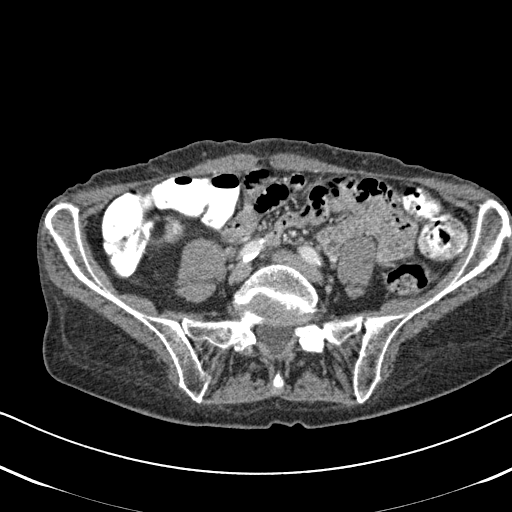
One axial slice (212 of 620, counting up from the lowest) of an arterial-phase abdominal CT acquired with 120 kVp, kernel B31f; each pixel is 0.637 mm and the slice is 2.00 mm thick.
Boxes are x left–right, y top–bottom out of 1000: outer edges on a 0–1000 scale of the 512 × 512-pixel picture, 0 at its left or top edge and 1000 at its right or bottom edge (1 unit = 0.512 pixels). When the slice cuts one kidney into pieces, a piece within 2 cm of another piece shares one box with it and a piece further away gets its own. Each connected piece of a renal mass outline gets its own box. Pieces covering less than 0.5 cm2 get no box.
Right kidney at x 311–363, y 418–482 out of 1000 (outlined area 568 px, about 2.3 cm2). No renal mass is outlined on this slice.